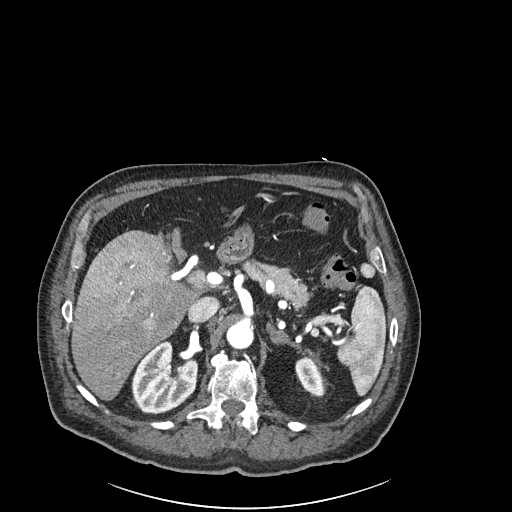
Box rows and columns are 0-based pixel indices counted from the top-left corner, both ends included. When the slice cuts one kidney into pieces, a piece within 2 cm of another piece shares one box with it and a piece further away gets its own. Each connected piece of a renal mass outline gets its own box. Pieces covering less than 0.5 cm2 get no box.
Slice 159/261 of a contrast-enhanced abdominal CT in the arterial phase, counting up from the lowest; pixel size 0.939 mm, slice thickness 2.00 mm. Two kidney boxes on this slice; by box centre, from the image's left to its right: (1) Right kidney, box rows 340–414, columns 131–198 (outlined area 3,591 px, about 31.7 cm2). (2) Left kidney, box rows 357–394, columns 295–323 (outlined area 773 px, about 6.8 cm2). This slice carries no renal mass outline.
Scan settings: 120 kVp, I30f reconstruction kernel.